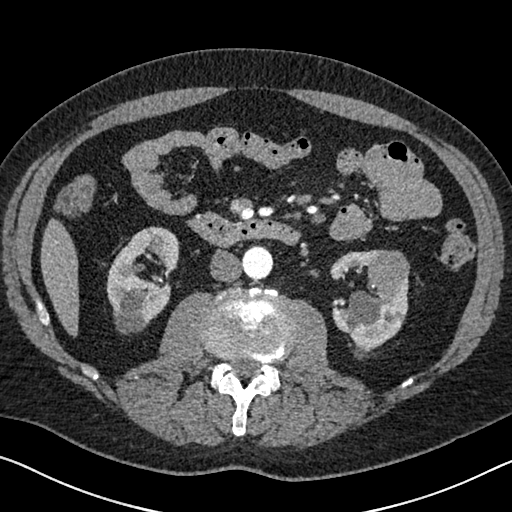
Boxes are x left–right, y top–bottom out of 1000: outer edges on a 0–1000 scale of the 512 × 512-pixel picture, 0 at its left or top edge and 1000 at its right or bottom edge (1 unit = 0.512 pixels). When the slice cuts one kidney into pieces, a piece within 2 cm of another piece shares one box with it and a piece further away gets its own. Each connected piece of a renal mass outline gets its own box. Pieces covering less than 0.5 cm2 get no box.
Slice 342/626 of a contrast-enhanced abdominal CT in the arterial phase, counting up from the lowest; pixel size 0.703 mm, slice thickness 1.00 mm. Boxed on this slice (two kidney boxes and one renal mass box), listed by box centre from the image's left to its right: (1) Right kidney at x 207–352, y 441–654 out of 1000 (outlined area 5,203 px, about 25.7 cm2). (2) Left kidney at x 643–799, y 488–689 out of 1000 (outlined area 4,163 px, about 20.6 cm2). (3) Left renal mass, box x 707–803, y 486–582 out of 1000 (outlined area 1,721 px, about 8.5 cm2).
Tube voltage 120 kVp; convolution kernel I30f.